Arterial-phase contrast-enhanced abdominal CT, axial slice 36 of 53 (counted from the lowest slice); tube voltage 120 kVp, convolution kernel B30f; slices 3.00 mm thick, 0.547 mm per pixel.
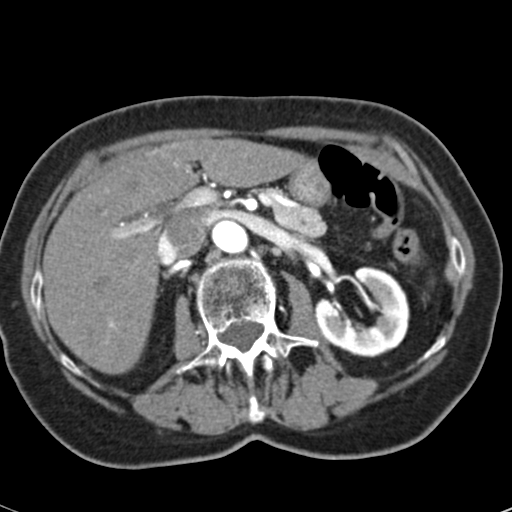
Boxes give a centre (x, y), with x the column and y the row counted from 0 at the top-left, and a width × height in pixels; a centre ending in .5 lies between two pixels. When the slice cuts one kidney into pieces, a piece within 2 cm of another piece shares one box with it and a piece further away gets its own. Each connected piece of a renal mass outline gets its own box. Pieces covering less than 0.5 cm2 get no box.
Left kidney in a box with centre (361, 311.5), 97 × 92 pixels (outlined area 5,561 px, about 16.6 cm2). No renal mass outline on this slice.